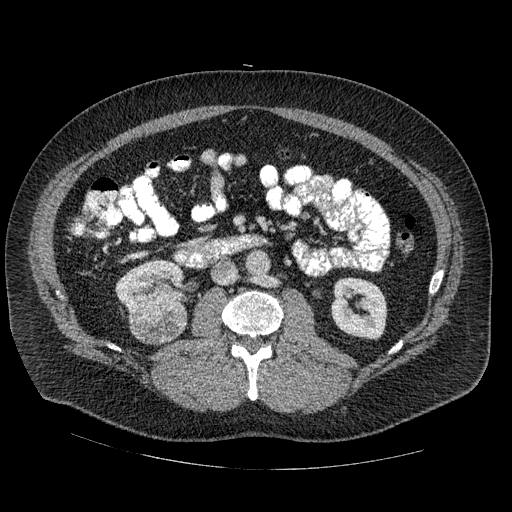
One axial slice (259 of 445, counting up from the lowest) of an arterial-phase abdominal CT acquired with 120 kVp, kernel STANDARD; each pixel is 0.863 mm and the slice is 1.25 mm thick.
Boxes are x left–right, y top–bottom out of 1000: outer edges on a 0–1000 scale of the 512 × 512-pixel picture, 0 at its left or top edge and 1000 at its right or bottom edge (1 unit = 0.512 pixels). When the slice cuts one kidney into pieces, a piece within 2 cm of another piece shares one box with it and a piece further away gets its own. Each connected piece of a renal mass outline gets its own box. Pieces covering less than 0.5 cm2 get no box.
Boxed on this slice (two kidney boxes and one renal mass box), listed by box centre from the image's left to its right: (1) Right kidney, box x 225–367, y 506–609 out of 1000 (outlined area 2,620 px, about 19.5 cm2). (2) Right renal mass at x 250–369, y 586–674 out of 1000 (outlined area 2,143 px, about 16.0 cm2). (3) Box x 645–758, y 541–666 out of 1000: left kidney (outlined area 2,804 px, about 20.9 cm2).